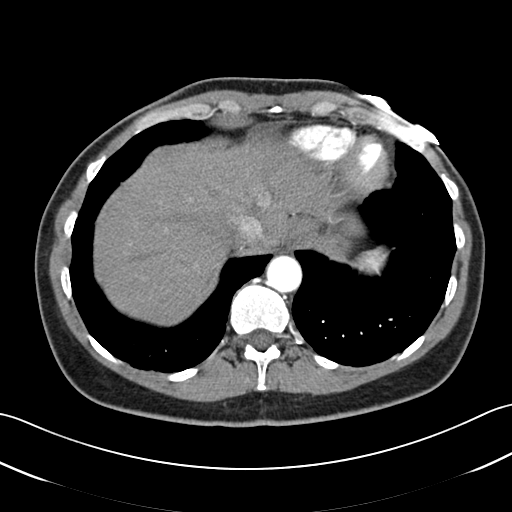
Axial slice 51 of 52 of a contrast-enhanced abdominal CT in the arterial phase (slice 1 is the lowest), 120 kVp, kernel B30f; 3.00 mm slice thickness and 0.678 mm pixels.
This slice carries no outline: it lies beyond the outlined kidneys and beyond every outlined renal mass. Other organs are not outlined in this scan.